Abdominal CT with intravenous contrast, arterial phase, axial plane, 120 kVp, kernel I30f. Slice 407/673 from the bottom of the scan; thickness 1.00 mm; pixel size 0.855 mm.
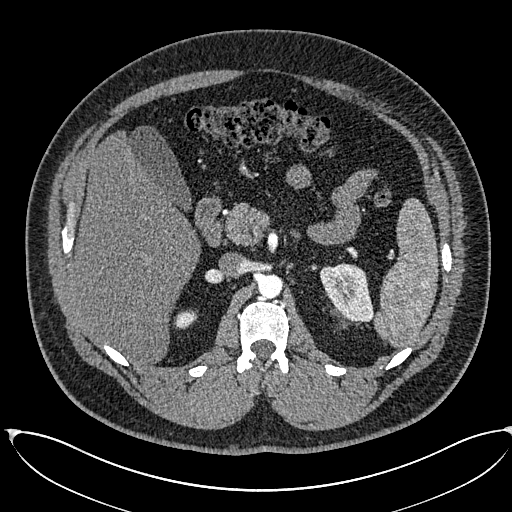
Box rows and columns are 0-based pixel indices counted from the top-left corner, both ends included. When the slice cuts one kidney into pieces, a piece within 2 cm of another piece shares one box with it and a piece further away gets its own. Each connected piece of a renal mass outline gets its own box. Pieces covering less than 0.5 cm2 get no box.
Boxed on this slice (two kidney boxes), listed by box centre from the image's left to its right: (1) Right kidney at rows 310–329, columns 175–197 (outlined area 329 px, about 2.4 cm2). (2) Box rows 263–322, columns 320–374: left kidney (outlined area 2,321 px, about 17.0 cm2). No renal mass is outlined on this slice.